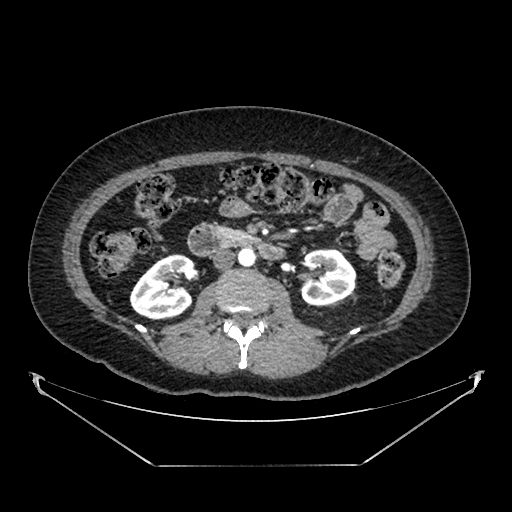
Arterial-phase contrast-enhanced abdominal CT, axial slice 216 of 383 (counted from the lowest slice); tube voltage 100 kVp, convolution kernel SOFT; slices 1.25 mm thick, 0.898 mm per pixel.
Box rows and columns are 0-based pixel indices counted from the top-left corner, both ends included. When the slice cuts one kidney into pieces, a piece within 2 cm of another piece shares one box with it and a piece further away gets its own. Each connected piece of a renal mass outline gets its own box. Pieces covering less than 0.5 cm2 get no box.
Two boxes on this slice (two kidney boxes), listed by box centre from the image's left to its right. (1) Box rows 254–320, columns 129–194: right kidney (outlined area 3,208 px, about 25.9 cm2). (2) Box rows 248–305, columns 299–356: left kidney (outlined area 2,645 px, about 21.4 cm2). This slice carries no renal mass outline.